Axial slice 562 of 705 of a contrast-enhanced abdominal CT in the arterial phase (slice 1 is the lowest), 120 kVp, kernel I30f; 1.00 mm slice thickness and 0.703 mm pixels.
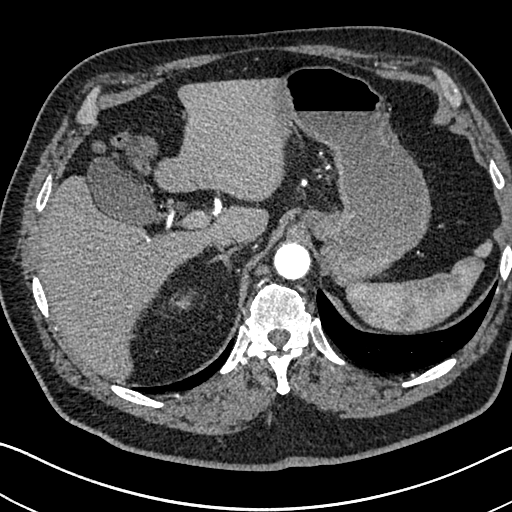
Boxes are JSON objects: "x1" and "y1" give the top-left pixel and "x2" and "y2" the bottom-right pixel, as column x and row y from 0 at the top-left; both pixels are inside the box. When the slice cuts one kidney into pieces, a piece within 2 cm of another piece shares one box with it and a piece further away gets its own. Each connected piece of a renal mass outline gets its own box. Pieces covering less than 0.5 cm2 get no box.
Right kidney at {"x1": 177, "y1": 291, "x2": 195, "y2": 307} (outlined area 178 px, about 0.9 cm2). This slice carries no renal mass outline.